Abdominal CT with intravenous contrast, axial plane, 140 kVp, kernel I30f. Slice 453/834 from the bottom of the scan; thickness 1.00 mm; pixel size 0.977 mm.
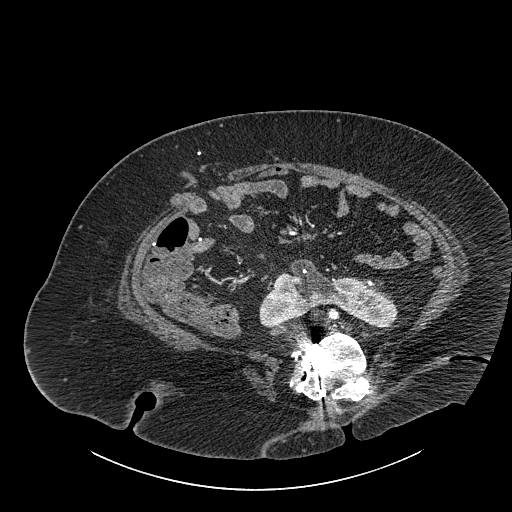
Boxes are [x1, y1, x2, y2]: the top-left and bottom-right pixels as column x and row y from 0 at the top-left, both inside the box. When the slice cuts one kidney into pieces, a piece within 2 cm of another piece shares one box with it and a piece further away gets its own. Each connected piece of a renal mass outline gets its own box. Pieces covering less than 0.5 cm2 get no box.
Kidney crossing the body midline, box [259, 259, 398, 330] (outlined area 5,429 px, about 51.8 cm2). No renal mass outline on this slice.